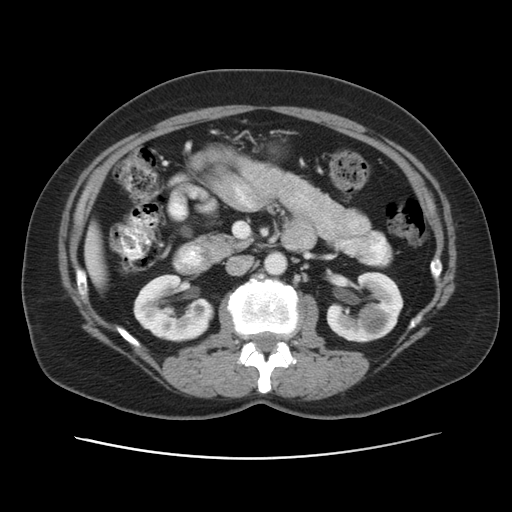
Abdominal CT with intravenous contrast, arterial phase, axial plane, 120 kVp, kernel STANDARD. Slice 26/53 from the bottom of the scan; thickness 5.00 mm; pixel size 0.703 mm.
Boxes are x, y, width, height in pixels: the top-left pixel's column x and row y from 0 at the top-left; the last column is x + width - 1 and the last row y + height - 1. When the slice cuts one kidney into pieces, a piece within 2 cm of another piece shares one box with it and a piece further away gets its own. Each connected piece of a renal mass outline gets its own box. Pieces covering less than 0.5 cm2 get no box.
Two kidney boxes and one renal mass box on this slice; by box centre, from the image's left to its right: (1) Box x 133, y 274, width 81, height 69: right kidney (outlined area 3,869 px, about 19.1 cm2). (2) Left kidney at x 326, y 271, width 78, height 72 (outlined area 2,726 px, about 13.5 cm2). (3) Left renal mass, box x 356, y 303, width 42, height 36 (outlined area 1,109 px, about 5.5 cm2).